Arterial-phase contrast-enhanced abdominal CT, axial slice 64 of 83 (counted from the lowest slice); tube voltage 120 kVp, convolution kernel STANDARD; slices 5.00 mm thick, 0.775 mm per pixel.
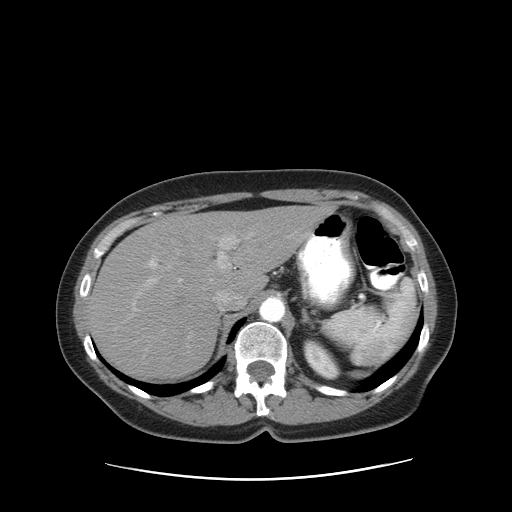
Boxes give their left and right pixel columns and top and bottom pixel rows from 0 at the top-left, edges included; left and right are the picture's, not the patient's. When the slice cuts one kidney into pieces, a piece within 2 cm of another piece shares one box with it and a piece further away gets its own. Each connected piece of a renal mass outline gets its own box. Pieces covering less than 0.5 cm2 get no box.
Left kidney, the box with left 303, top 339, right 341, bottom 379 (outlined area 993 px, about 6.0 cm2). No renal mass outline on this slice.